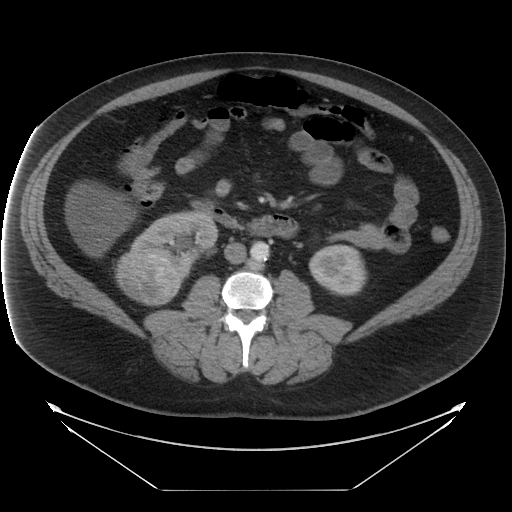
Contrast-enhanced abdominal CT, axial slice 9 of 29 (counted from the lowest slice); tube voltage 120 kVp, convolution kernel STANDARD; slices 5.00 mm thick, 0.977 mm per pixel.
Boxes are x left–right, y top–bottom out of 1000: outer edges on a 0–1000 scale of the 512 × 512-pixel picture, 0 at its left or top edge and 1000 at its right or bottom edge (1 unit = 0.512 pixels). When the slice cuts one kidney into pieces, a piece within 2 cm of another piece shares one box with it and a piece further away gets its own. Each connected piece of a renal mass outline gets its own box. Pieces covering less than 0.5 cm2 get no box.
Boxed on this slice (two kidney boxes and one renal mass box), listed by box centre from the image's left to its right: (1) Right renal mass, box x 223–355, y 488–600 out of 1000 (outlined area 2,933 px, about 28.0 cm2). (2) Box x 254–428, y 412–547 out of 1000: right kidney (outlined area 3,350 px, about 31.9 cm2). (3) Left kidney at x 604–719, y 477–578 out of 1000 (outlined area 2,328 px, about 22.2 cm2).